Axial slice 109 of 206 of a contrast-enhanced abdominal CT (slice 1 is the lowest), 120 kVp, kernel STANDARD; 2.50 mm slice thickness and 0.879 mm pixels.
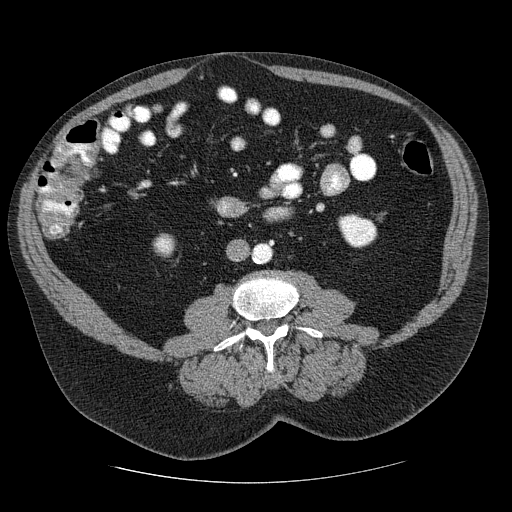
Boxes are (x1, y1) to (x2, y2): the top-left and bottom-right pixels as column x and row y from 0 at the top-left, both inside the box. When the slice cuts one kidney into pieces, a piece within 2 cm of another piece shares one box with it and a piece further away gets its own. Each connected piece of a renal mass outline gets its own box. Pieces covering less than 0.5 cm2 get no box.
Two kidney boxes on this slice; by box centre, from the image's left to its right: (1) Right kidney from (152, 233) to (175, 257) (outlined area 456 px, about 3.5 cm2). (2) Left kidney from (337, 213) to (377, 248) (outlined area 1,041 px, about 8.0 cm2). This slice carries no renal mass outline.